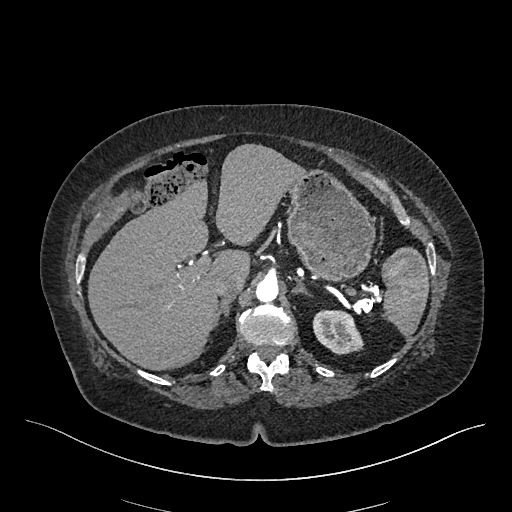
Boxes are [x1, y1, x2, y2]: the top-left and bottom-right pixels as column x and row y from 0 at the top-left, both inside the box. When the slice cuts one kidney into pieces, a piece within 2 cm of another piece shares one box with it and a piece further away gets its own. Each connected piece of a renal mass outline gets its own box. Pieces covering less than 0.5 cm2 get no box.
This is axial slice 346 of 548 (slice 1 is the lowest) of an arterial-phase abdominal CT with contrast; each pixel is 0.852 mm and the slice is 1.00 mm thick. Left kidney, box [312, 310, 363, 354] (outlined area 1,731 px, about 12.6 cm2). This slice carries no renal mass outline.
Acquired at 120 kVp and reconstructed with the I26f kernel.